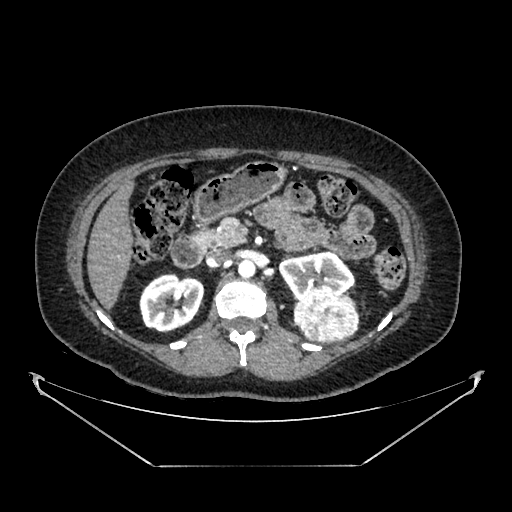
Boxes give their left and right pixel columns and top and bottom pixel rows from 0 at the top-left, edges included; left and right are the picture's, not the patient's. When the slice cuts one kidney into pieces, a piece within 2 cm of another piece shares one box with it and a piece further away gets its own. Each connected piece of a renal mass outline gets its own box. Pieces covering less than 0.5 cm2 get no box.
Slice 244/383 of a contrast-enhanced abdominal CT in the arterial phase, counting up from the lowest; pixel size 0.898 mm, slice thickness 1.25 mm. Boxed on this slice (two kidney boxes and one renal mass box), listed by box centre from the image's left to its right: (1) Box with left 139, top 273, right 204, bottom 332: right kidney (outlined area 3,001 px, about 24.2 cm2). (2) Left kidney in the box with left 278, top 251, right 354, bottom 300 (outlined area 2,546 px, about 20.6 cm2). (3) Left renal mass in the box with left 293, top 290, right 358, bottom 343 (outlined area 2,839 px, about 22.9 cm2).
Tube voltage 100 kVp; convolution kernel SOFT.